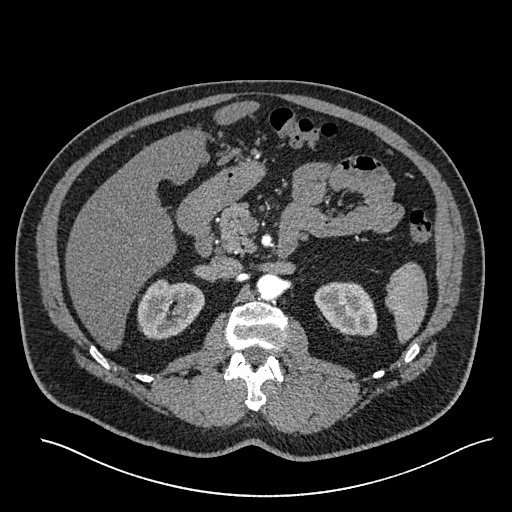
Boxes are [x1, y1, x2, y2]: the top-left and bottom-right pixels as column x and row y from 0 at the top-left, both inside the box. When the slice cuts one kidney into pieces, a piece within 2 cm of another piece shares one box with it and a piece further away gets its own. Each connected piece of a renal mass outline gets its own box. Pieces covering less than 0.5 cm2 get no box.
Arterial-phase contrast-enhanced abdominal CT, axial slice 367 of 527 (counted from the lowest slice); 1.00 mm thick, 0.859 mm per pixel. Boxed on this slice (two kidney boxes), listed by box centre from the image's left to its right: (1) Right kidney at [137, 278, 204, 339] (outlined area 3,081 px, about 22.8 cm2). (2) Left kidney at [314, 281, 377, 339] (outlined area 2,645 px, about 19.5 cm2). No renal mass is outlined on this slice.
Scan settings: 120 kVp, I30f reconstruction kernel.